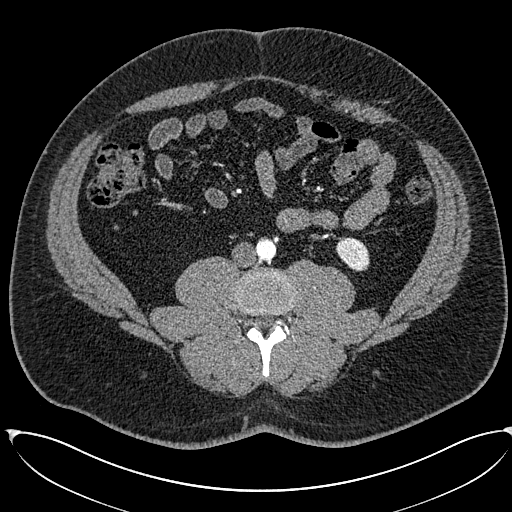
Arterial-phase contrast-enhanced abdominal CT, axial slice 226 of 673 (counted from the lowest slice); tube voltage 120 kVp, convolution kernel I30f; slices 1.00 mm thick, 0.855 mm per pixel.
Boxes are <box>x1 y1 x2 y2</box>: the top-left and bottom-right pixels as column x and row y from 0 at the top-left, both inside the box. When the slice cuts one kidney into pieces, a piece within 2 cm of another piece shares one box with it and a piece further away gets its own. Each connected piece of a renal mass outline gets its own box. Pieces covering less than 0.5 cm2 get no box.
Left kidney: <box>336 237 369 271</box> (outlined area 877 px, about 6.4 cm2). No renal mass is outlined on this slice.